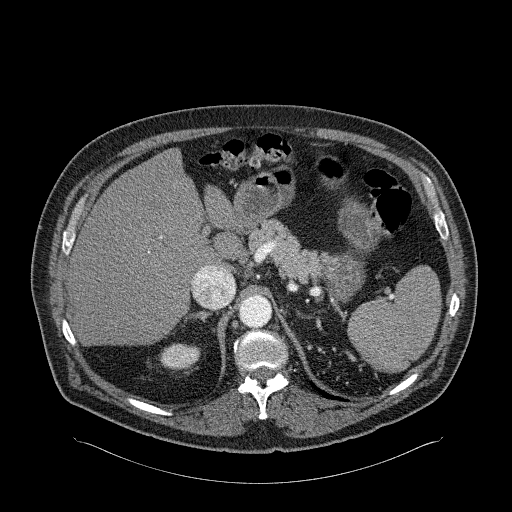
Arterial-phase contrast-enhanced abdominal CT, axial slice 200 of 326 (counted from the lowest slice); tube voltage 120 kVp, convolution kernel B31f; slices 2.00 mm thick, 0.963 mm per pixel.
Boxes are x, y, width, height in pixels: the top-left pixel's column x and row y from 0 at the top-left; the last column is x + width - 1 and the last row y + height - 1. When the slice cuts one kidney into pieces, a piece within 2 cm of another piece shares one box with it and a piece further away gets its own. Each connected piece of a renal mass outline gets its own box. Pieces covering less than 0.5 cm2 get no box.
Box x 160, y 343, width 41, height 28: right kidney (outlined area 881 px, about 8.2 cm2). This slice carries no renal mass outline.